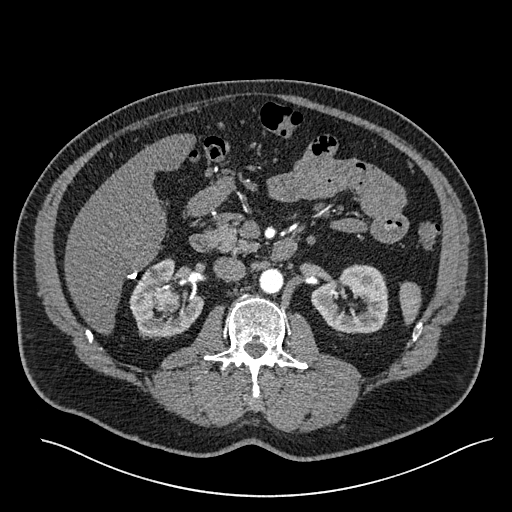
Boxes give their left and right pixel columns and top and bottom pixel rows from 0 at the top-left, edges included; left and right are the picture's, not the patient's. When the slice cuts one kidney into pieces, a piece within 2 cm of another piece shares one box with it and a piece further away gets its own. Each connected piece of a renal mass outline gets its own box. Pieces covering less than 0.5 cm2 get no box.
Arterial-phase contrast-enhanced abdominal CT, axial slice 336 of 527 (counted from the lowest slice); 1.00 mm thick, 0.859 mm per pixel. Boxed on this slice (two kidney boxes and one renal mass box), listed by box centre from the image's left to its right: (1) Right kidney in the box with left 129, top 259, right 203, bottom 339 (outlined area 3,501 px, about 25.9 cm2). (2) Box with left 154, top 286, right 180, bottom 312: right renal mass (outlined area 571 px, about 4.2 cm2). (3) Left kidney, the box with left 311, top 264, right 388, bottom 333 (outlined area 3,826 px, about 28.3 cm2).
Tube voltage 120 kVp; convolution kernel I30f.